One axial slice (132 of 316, counting up from the lowest) of an arterial-phase abdominal CT acquired with 100 kVp, kernel I40f; each pixel is 0.840 mm and the slice is 2.00 mm thick.
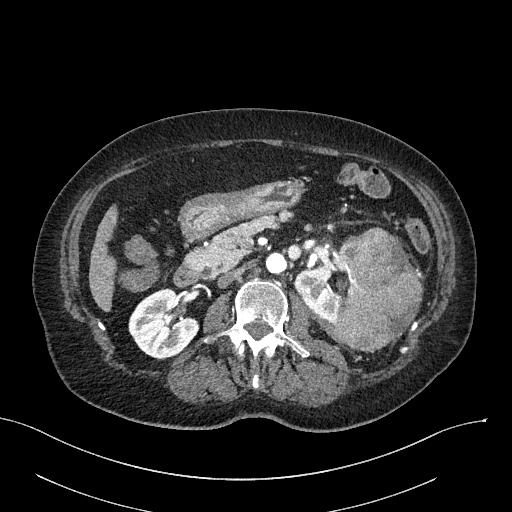
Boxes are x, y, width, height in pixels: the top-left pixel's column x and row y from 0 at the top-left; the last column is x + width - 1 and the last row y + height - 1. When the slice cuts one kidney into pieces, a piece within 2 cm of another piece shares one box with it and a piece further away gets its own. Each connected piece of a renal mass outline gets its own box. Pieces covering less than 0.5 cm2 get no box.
Two kidney boxes and one renal mass box on this slice; by box centre, from the image's left to its right: (1) Right kidney at x 128, y 288, width 72, height 72 (outlined area 3,526 px, about 24.9 cm2). (2) Box x 294, y 245, width 56, height 80: left kidney (outlined area 2,493 px, about 17.6 cm2). (3) Box x 334, y 227, width 89, height 124: left renal mass (outlined area 7,992 px, about 56.4 cm2).